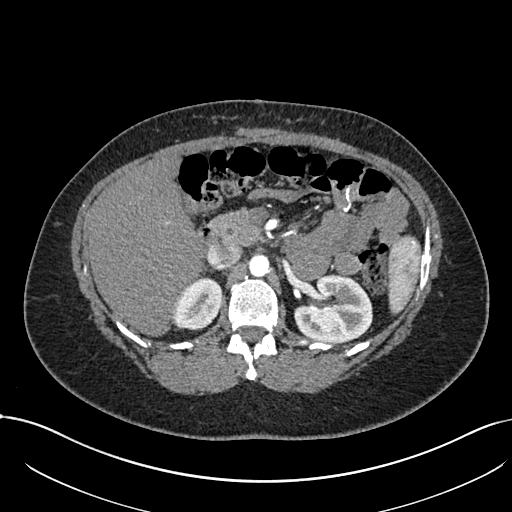
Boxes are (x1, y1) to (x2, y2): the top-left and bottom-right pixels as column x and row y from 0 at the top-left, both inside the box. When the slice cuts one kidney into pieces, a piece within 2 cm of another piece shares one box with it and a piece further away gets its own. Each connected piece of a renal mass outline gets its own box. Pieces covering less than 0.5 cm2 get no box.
Arterial-phase contrast-enhanced abdominal CT, axial slice 476 of 738 (counted from the lowest slice); 1.00 mm thick, 0.789 mm per pixel. Two kidney boxes on this slice; by box centre, from the image's left to its right: (1) Box (172, 277) to (220, 330): right kidney (outlined area 2,023 px, about 12.6 cm2). (2) Box (294, 274) to (372, 341): left kidney (outlined area 4,108 px, about 25.6 cm2). This slice carries no renal mass outline.
Tube voltage 120 kVp; convolution kernel I30f.